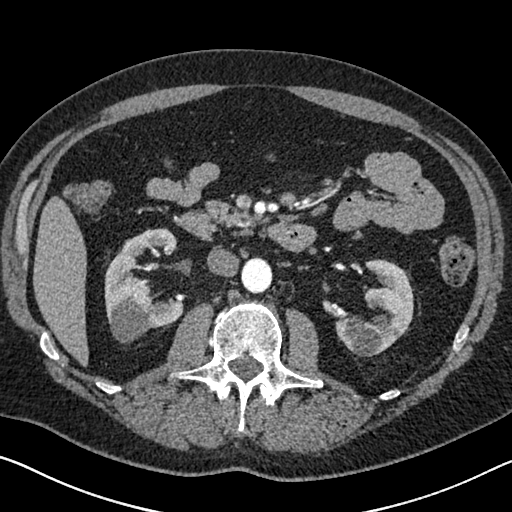
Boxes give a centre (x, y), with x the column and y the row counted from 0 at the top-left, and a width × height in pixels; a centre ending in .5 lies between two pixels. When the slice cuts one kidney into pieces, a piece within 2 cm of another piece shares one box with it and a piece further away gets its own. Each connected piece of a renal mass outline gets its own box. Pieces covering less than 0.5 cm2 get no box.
Slice 379/626 of a contrast-enhanced abdominal CT in the arterial phase, counting up from the lowest; pixel size 0.703 mm, slice thickness 1.00 mm. Two kidney boxes on this slice; by box centre, from the image's left to its right: (1) Box centre (144, 285.5), 81 × 116 pixels: right kidney (outlined area 5,749 px, about 28.4 cm2). (2) Left kidney, box centre (373.5, 307.5), 80 × 98 pixels (outlined area 4,519 px, about 22.3 cm2). No renal mass outline on this slice.
Acquired at 120 kVp and reconstructed with the I30f kernel.